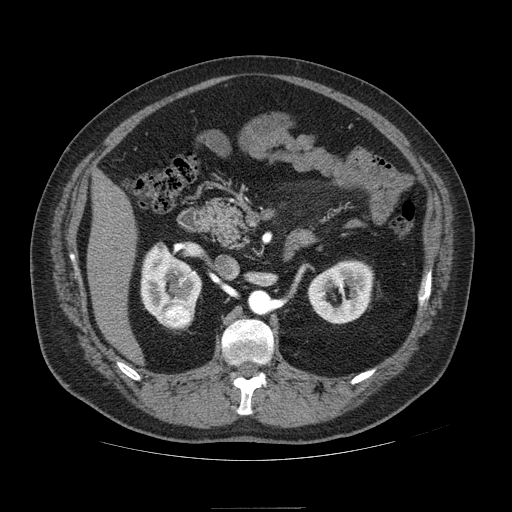
Axial slice 58 of 121 of a contrast-enhanced abdominal CT in the arterial phase (slice 1 is the lowest), 120 kVp, kernel STANDARD; 2.50 mm slice thickness and 0.861 mm pixels.
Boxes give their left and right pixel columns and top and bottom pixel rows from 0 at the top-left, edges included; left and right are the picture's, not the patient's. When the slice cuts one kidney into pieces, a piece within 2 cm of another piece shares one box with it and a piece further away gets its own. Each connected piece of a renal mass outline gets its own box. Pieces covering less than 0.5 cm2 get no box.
Two kidney boxes and one renal mass box on this slice; by box centre, from the image's left to its right: (1) Box with left 140, top 243, right 201, bottom 323: right kidney (outlined area 3,016 px, about 22.4 cm2). (2) Box with left 161, top 302, right 193, bottom 329: right renal mass (outlined area 772 px, about 5.7 cm2). (3) Left kidney, the box with left 308, top 260, right 373, bottom 323 (outlined area 3,035 px, about 22.5 cm2).